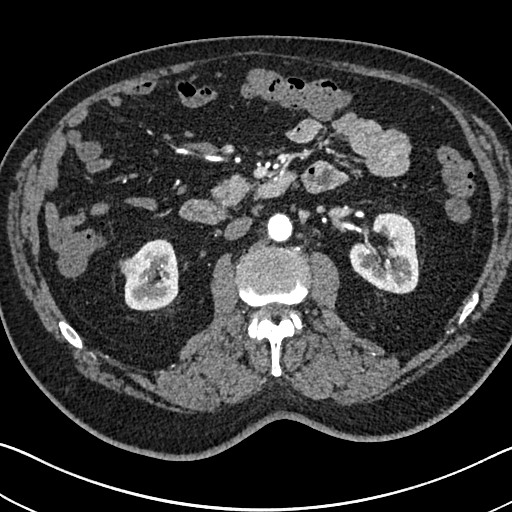
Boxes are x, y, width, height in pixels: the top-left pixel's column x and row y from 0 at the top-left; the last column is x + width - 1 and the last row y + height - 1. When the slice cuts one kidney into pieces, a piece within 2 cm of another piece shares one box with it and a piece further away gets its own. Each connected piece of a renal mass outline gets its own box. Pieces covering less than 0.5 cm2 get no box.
This is axial slice 401 of 705 (slice 1 is the lowest) of an arterial-phase abdominal CT with contrast; each pixel is 0.703 mm and the slice is 1.00 mm thick. Two kidney boxes and one renal mass box on this slice; by box centre, from the image's left to its right: (1) Right renal mass, box x 119, y 255, width 26, height 27 (outlined area 465 px, about 2.3 cm2). (2) Right kidney, box x 124, y 239, width 55, height 73 (outlined area 2,868 px, about 14.2 cm2). (3) Left kidney, box x 349, y 212, width 71, height 83 (outlined area 4,128 px, about 20.4 cm2).
Tube voltage 120 kVp; convolution kernel I30f.